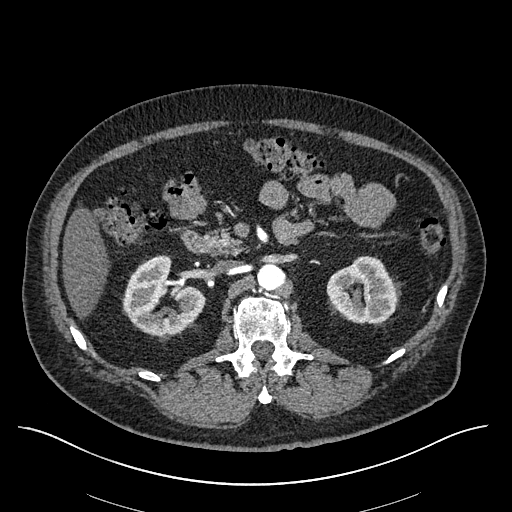
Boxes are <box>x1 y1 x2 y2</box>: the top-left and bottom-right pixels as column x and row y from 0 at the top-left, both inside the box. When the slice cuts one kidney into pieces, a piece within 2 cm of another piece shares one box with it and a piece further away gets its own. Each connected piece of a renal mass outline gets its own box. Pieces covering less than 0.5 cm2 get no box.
Slice 357/670 of a contrast-enhanced abdominal CT in the arterial phase, counting up from the lowest; pixel size 0.861 mm, slice thickness 1.00 mm. Two kidney boxes on this slice; by box centre, from the image's left to its right: (1) At <box>122 255 204 335</box>: right kidney (outlined area 4,478 px, about 33.2 cm2). (2) Left kidney: <box>326 256 401 323</box> (outlined area 3,690 px, about 27.4 cm2). No renal mass is outlined on this slice.
Acquired at 120 kVp and reconstructed with the I30f kernel.